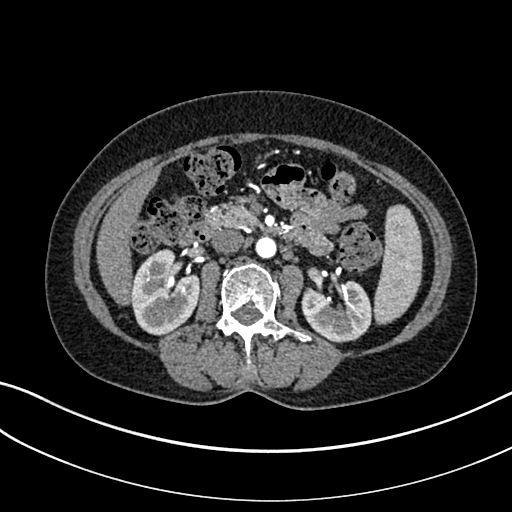
One axial slice (157 of 325, counting up from the lowest) of an arterial-phase abdominal CT acquired with 100 kVp, kernel I30f; each pixel is 0.703 mm and the slice is 1.00 mm thick.
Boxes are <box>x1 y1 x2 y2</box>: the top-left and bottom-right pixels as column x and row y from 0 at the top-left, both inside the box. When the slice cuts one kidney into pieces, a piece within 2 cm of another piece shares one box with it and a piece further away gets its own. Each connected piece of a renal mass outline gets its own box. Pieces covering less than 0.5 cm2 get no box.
Boxed on this slice (two kidney boxes), listed by box centre from the image's left to its right: (1) Right kidney: <box>131 249 199 335</box> (outlined area 4,397 px, about 21.7 cm2). (2) Left kidney at <box>301 280 372 342</box> (outlined area 3,302 px, about 16.3 cm2). This slice carries no renal mass outline.